Axial slice 642 of 834 of a contrast-enhanced abdominal CT (slice 1 is the lowest), 140 kVp, kernel I30f; 1.00 mm slice thickness and 0.977 mm pixels.
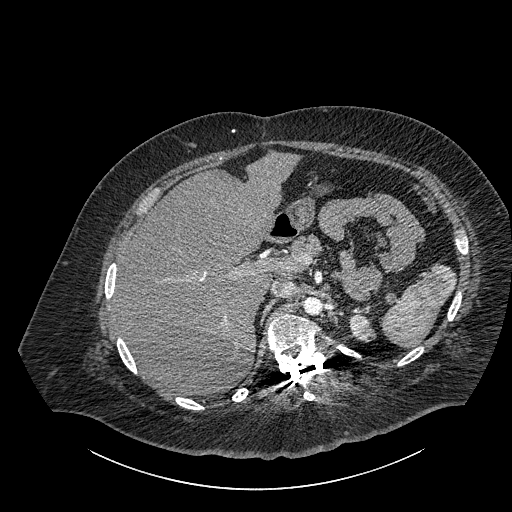
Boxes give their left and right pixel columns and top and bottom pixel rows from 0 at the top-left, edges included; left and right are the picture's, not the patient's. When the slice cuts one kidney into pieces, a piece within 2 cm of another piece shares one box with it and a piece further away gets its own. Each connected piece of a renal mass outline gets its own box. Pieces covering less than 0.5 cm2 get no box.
Box with left 349, top 312, right 375, bottom 342: left part of the midline-crossing kidney (outlined area 578 px, about 5.5 cm2). This slice carries no renal mass outline.